Abdominal CT with intravenous contrast, arterial phase, axial plane, 120 kVp, kernel B30f. Slice 308/723 from the bottom of the scan; thickness 1.00 mm; pixel size 0.895 mm.
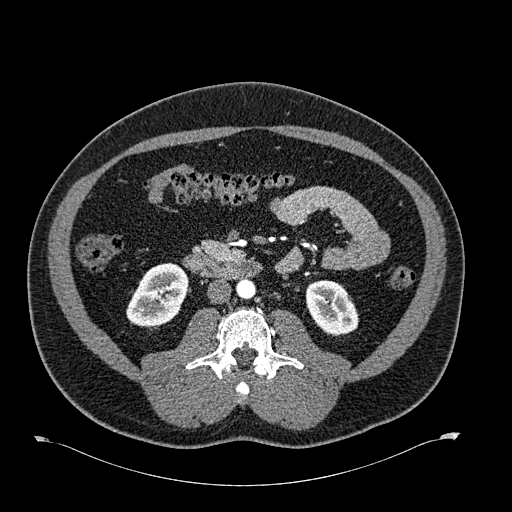
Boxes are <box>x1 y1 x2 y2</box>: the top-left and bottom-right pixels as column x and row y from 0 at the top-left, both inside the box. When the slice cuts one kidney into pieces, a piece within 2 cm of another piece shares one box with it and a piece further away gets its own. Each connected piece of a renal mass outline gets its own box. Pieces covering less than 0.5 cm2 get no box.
Two kidney boxes on this slice; by box centre, from the image's left to its right: (1) Right kidney at <box>126 262 188 328</box> (outlined area 2,936 px, about 23.5 cm2). (2) Left kidney: <box>305 280 358 336</box> (outlined area 2,257 px, about 18.1 cm2). No renal mass outline on this slice.